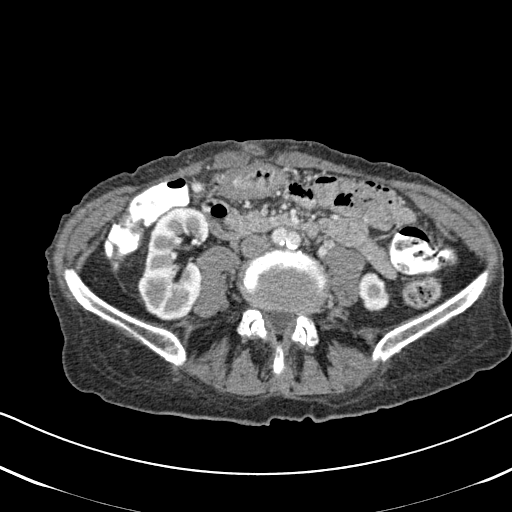
Axial slice 240 of 620 of a contrast-enhanced abdominal CT in the arterial phase (slice 1 is the lowest), 120 kVp, kernel B31f; 2.00 mm slice thickness and 0.637 mm pixels.
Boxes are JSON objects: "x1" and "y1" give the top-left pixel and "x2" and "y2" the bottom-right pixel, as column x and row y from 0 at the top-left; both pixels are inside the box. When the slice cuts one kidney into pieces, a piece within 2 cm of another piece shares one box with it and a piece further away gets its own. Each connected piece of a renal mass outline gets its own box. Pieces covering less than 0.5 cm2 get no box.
Two boxes on this slice (two kidney boxes), listed by box centre from the image's left to its right. (1) Right kidney, box {"x1": 137, "y1": 207, "x2": 211, "y2": 320} (outlined area 5,996 px, about 24.3 cm2). (2) Left kidney at {"x1": 357, "y1": 272, "x2": 390, "y2": 311} (outlined area 982 px, about 4.0 cm2). This slice carries no renal mass outline.